Abdominal CT with intravenous contrast, arterial phase, axial plane, 120 kVp, kernel B30f. Slice 301/532 from the bottom of the scan; thickness 1.00 mm; pixel size 0.713 mm.
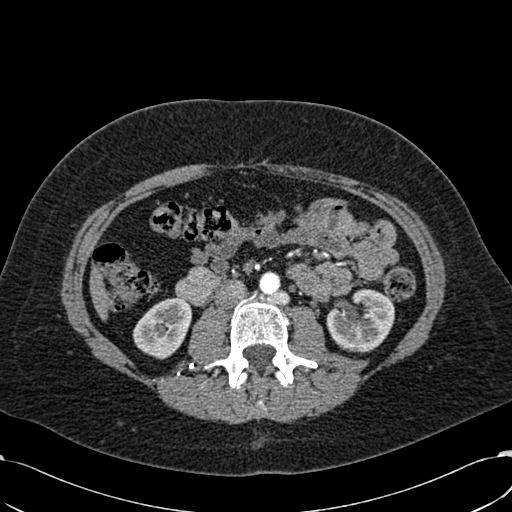
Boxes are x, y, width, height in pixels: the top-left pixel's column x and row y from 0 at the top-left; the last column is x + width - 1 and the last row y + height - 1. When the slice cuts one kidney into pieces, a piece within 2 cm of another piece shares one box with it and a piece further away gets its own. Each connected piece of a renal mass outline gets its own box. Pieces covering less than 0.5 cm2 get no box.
Boxed on this slice (two kidney boxes), listed by box centre from the image's left to its right: (1) Right kidney at x 132, y 297, width 61, height 63 (outlined area 2,625 px, about 13.3 cm2). (2) Left kidney at x 326, y 288, width 69, height 65 (outlined area 3,255 px, about 16.5 cm2). This slice carries no renal mass outline.